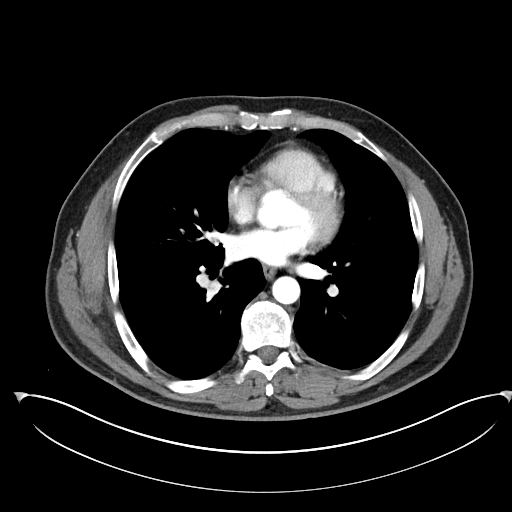
Arterial-phase contrast-enhanced abdominal CT, axial slice 218 of 302 (counted from the lowest slice); tube voltage 100 kVp, convolution kernel I30f; slices 5.00 mm thick, 0.875 mm per pixel.
Outside the outlined region: no kidney outline and no renal mass outline on this slice. The scan's outlines cover only kidneys and renal masses; no other organ is outlined.